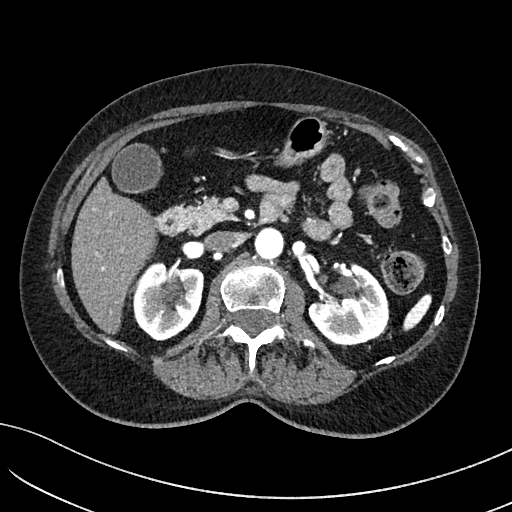
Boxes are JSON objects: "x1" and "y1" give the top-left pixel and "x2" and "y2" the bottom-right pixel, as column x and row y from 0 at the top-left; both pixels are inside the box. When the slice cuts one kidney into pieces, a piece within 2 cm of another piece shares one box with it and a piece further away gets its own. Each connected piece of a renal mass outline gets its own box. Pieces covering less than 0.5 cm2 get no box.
This is axial slice 76 of 234 (slice 1 is the lowest) of an arterial-phase abdominal CT with contrast; each pixel is 0.699 mm and the slice is 2.00 mm thick. Two boxes on this slice (two kidney boxes), listed by box centre from the image's left to its right. (1) Right kidney at {"x1": 133, "y1": 262, "x2": 203, "y2": 340} (outlined area 4,325 px, about 21.1 cm2). (2) Box {"x1": 308, "y1": 262, "x2": 389, "y2": 347}: left kidney (outlined area 4,640 px, about 22.7 cm2). No renal mass outline on this slice.
Acquired at 100 kVp and reconstructed with the I40f kernel.